Axial slice 227 of 383 of a contrast-enhanced abdominal CT in the arterial phase (slice 1 is the lowest), 100 kVp, kernel SOFT; 1.25 mm slice thickness and 0.898 mm pixels.
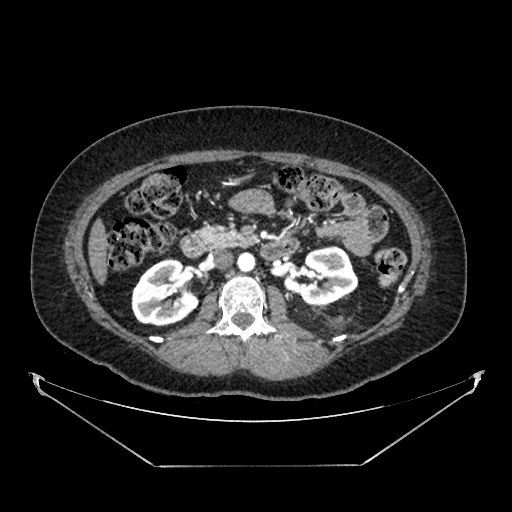
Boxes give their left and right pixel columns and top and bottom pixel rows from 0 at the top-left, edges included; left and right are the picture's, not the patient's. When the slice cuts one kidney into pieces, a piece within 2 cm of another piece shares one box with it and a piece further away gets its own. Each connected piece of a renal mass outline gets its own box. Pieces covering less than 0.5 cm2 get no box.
Boxed on this slice (two kidney boxes), listed by box centre from the image's left to its right: (1) Box with left 131, top 259, right 199, bottom 326: right kidney (outlined area 3,396 px, about 27.4 cm2). (2) Box with left 284, top 246, right 358, bottom 305: left kidney (outlined area 3,057 px, about 24.7 cm2). No renal mass is outlined on this slice.